Axial slice 158 of 279 of a contrast-enhanced abdominal CT in the arterial phase (slice 1 is the lowest), 120 kVp, kernel B31f; 2.00 mm slice thickness and 0.824 mm pixels.
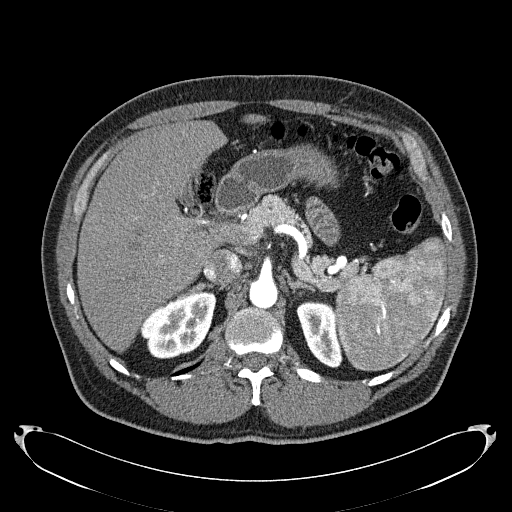
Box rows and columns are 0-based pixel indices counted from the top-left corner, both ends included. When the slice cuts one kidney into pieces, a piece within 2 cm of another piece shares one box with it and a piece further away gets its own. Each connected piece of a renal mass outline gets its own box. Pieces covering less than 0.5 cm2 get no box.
Boxed on this slice (two kidney boxes), listed by box centre from the image's left to its right: (1) Box rows 292–358, columns 140–216: right kidney (outlined area 3,531 px, about 24.0 cm2). (2) Left kidney, box rows 300–367, columns 296–342 (outlined area 2,116 px, about 14.4 cm2). This slice carries no renal mass outline.